Abdominal CT with intravenous contrast, arterial phase, axial plane, 120 kVp, kernel B30f. Slice 119/274 from the bottom of the scan; thickness 2.00 mm; pixel size 0.809 mm.
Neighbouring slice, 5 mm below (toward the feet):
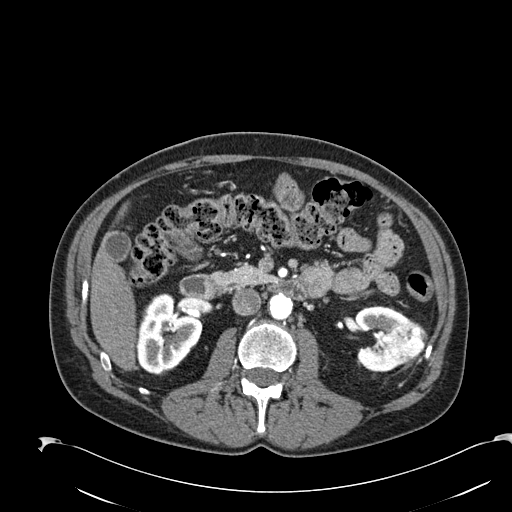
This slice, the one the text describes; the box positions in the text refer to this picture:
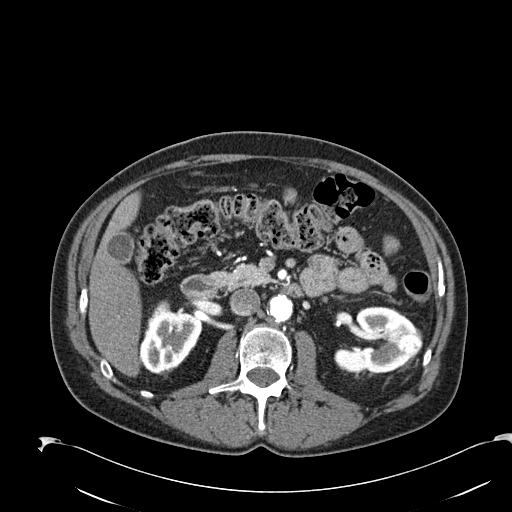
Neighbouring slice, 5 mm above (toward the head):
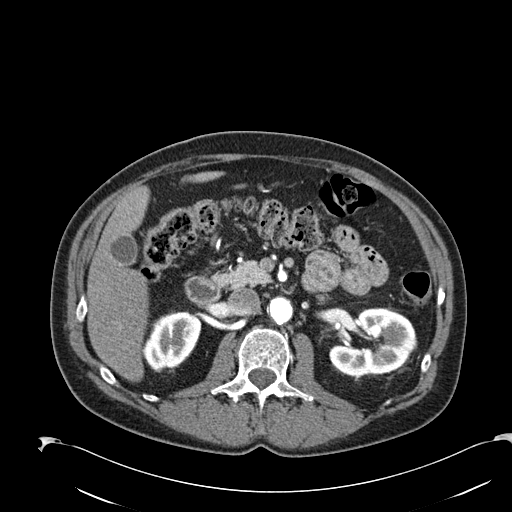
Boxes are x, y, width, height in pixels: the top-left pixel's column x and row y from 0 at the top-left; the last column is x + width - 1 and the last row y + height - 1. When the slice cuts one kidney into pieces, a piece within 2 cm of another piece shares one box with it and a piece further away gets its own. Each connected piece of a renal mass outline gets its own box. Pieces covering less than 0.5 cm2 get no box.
Two kidney boxes and one renal mass box on this slice; by box centre, from the image's left to its right: (1) Right kidney at x 142, y 305, width 61, height 69 (outlined area 2,946 px, about 19.3 cm2). (2) Left kidney at x 334, y 306, width 89, height 68 (outlined area 3,734 px, about 24.4 cm2). (3) Left renal mass, box x 397, y 333, width 26, height 24 (outlined area 467 px, about 3.1 cm2). This slice is near the end of the left renal mass toward the head, so the slices 5 mm below and 5 mm above it are shown as well; the boxes refer to this slice only.